Abdominal CT with intravenous contrast, arterial phase, axial plane, 120 kVp, kernel I30f. Slice 105/261 from the bottom of the scan; thickness 2.00 mm; pixel size 0.939 mm.
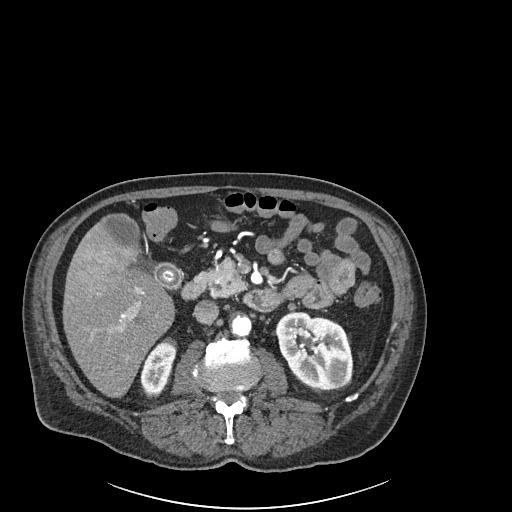
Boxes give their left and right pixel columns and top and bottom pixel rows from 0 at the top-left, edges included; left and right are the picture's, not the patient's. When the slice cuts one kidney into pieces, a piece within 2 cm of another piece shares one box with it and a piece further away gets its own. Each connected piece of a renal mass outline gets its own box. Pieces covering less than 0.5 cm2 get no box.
Boxed on this slice (two kidney boxes), listed by box centre from the image's left to its right: (1) Right kidney in the box with left 140, top 342, right 176, bottom 393 (outlined area 1,265 px, about 11.2 cm2). (2) Left kidney in the box with left 276, top 312, right 352, bottom 389 (outlined area 4,573 px, about 40.4 cm2). No renal mass is outlined on this slice.